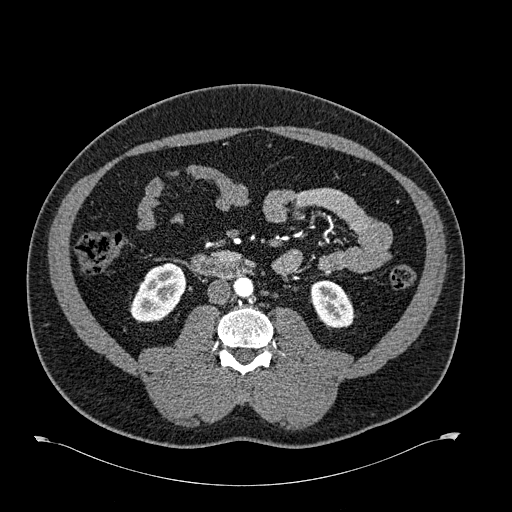
Axial slice 293 of 723 of a contrast-enhanced abdominal CT in the arterial phase (slice 1 is the lowest), 120 kVp, kernel B30f; 1.00 mm slice thickness and 0.895 mm pixels.
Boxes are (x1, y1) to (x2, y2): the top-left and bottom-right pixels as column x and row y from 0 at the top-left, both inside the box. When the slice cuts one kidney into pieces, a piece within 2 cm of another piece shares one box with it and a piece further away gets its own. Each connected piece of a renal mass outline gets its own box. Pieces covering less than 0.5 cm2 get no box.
Two kidney boxes on this slice; by box centre, from the image's left to its right: (1) Right kidney from (129, 262) to (186, 322) (outlined area 2,368 px, about 18.9 cm2). (2) Left kidney from (310, 280) to (354, 328) (outlined area 1,622 px, about 13.0 cm2). This slice carries no renal mass outline.